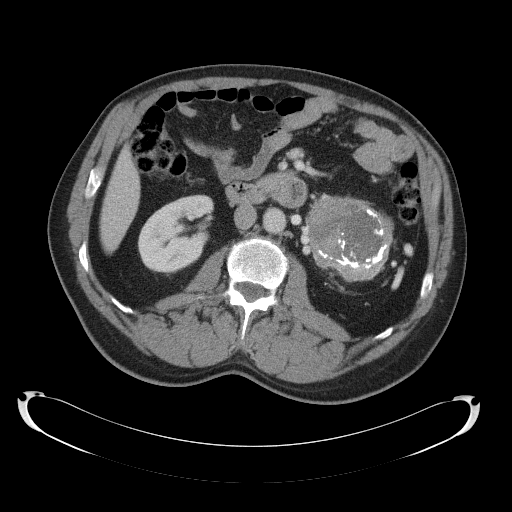
Contrast-enhanced abdominal CT, axial slice 66 of 145 (counted from the lowest slice); tube voltage 120 kVp, convolution kernel B41f; slices 5.00 mm thick, 0.859 mm per pixel.
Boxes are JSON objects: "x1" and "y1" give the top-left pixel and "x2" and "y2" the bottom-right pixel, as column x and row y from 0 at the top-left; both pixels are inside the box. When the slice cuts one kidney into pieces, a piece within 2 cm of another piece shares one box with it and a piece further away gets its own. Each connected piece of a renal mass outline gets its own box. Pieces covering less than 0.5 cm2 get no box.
Two boxes on this slice (one kidney box and one renal mass box), listed by box centre from the image's left to its right. (1) Right kidney at {"x1": 137, "y1": 194, "x2": 213, "y2": 274} (outlined area 4,423 px, about 32.7 cm2). (2) Left renal mass at {"x1": 305, "y1": 193, "x2": 393, "y2": 282} (outlined area 5,916 px, about 43.7 cm2); here it is more than 1 cm from any kidney outline, though on another slice the same outlined renal mass lies within 1 cm of the kidney.